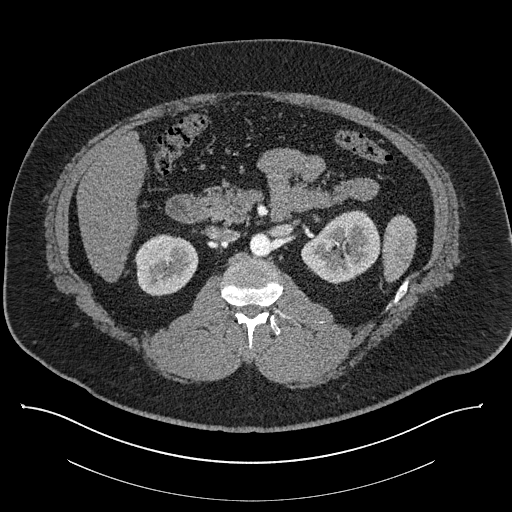
One axial slice (512 of 787, counting up from the lowest) of a contrast-enhanced abdominal CT acquired with 140 kVp, kernel I30f; each pixel is 0.910 mm and the slice is 1.00 mm thick.
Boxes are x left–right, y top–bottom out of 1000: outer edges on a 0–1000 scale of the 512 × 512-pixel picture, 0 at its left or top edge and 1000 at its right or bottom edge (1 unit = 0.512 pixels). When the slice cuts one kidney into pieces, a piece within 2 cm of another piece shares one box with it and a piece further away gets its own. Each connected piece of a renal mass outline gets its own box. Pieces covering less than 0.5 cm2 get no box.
Two kidney boxes on this slice; by box centre, from the image's left to its right: (1) Box x 262–389, y 457–580 out of 1000: right kidney (outlined area 3,099 px, about 25.7 cm2). (2) Left kidney, box x 588–744, y 410–557 out of 1000 (outlined area 4,122 px, about 34.1 cm2). No renal mass is outlined on this slice.